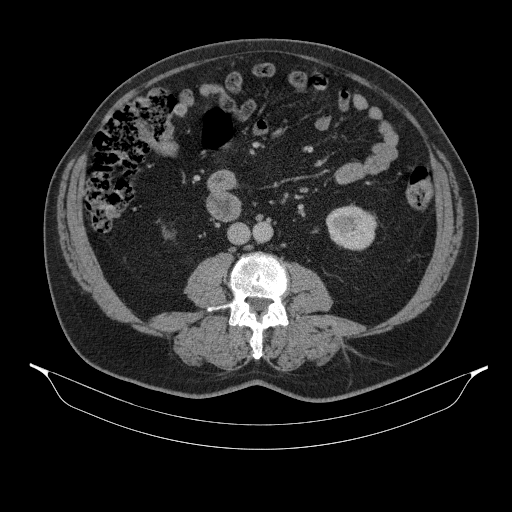
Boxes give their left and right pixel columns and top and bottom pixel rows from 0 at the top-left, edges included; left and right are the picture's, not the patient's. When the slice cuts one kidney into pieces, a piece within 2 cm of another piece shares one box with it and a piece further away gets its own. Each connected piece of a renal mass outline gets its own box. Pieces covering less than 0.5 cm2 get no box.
Contrast-enhanced abdominal CT, axial slice 169 of 314 (counted from the lowest slice); 2.50 mm thick, 0.934 mm per pixel. Box with left 326, top 204, right 377, bottom 250: left kidney (outlined area 1,835 px, about 16.0 cm2). No renal mass is outlined on this slice.
Tube voltage 130 kVp; convolution kernel B31s.